Abdominal CT with intravenous contrast, arterial phase, axial plane, 120 kVp, kernel B41f. Slice 50/131 from the bottom of the scan; thickness 5.00 mm; pixel size 0.760 mm.
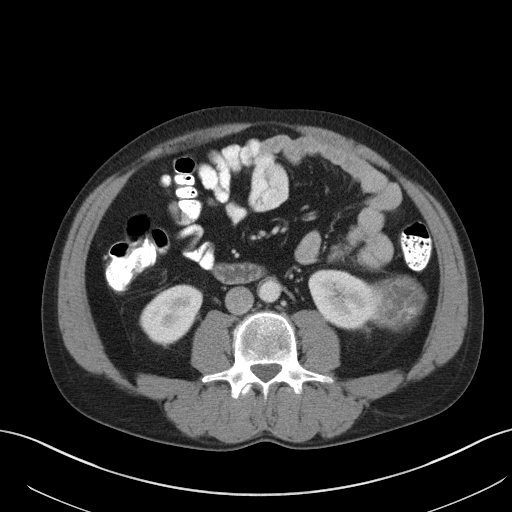
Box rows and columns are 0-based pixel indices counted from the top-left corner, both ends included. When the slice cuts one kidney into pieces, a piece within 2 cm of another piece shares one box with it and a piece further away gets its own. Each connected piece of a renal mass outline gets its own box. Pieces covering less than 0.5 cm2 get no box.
Boxed on this slice (two kidney boxes and one renal mass box), listed by box centre from the image's left to its right: (1) Right kidney, box rows 285–345, columns 140–202 (outlined area 2,656 px, about 15.3 cm2). (2) Left kidney, box rows 269–329, columns 308–373 (outlined area 2,888 px, about 16.7 cm2). (3) Left renal mass at rows 277–328, columns 367–423 (outlined area 2,238 px, about 12.9 cm2).